Axial slice 68 of 103 of a contrast-enhanced abdominal CT (slice 1 is the lowest), 120 kVp, kernel FC18; 3.00 mm slice thickness and 0.714 mm pixels.
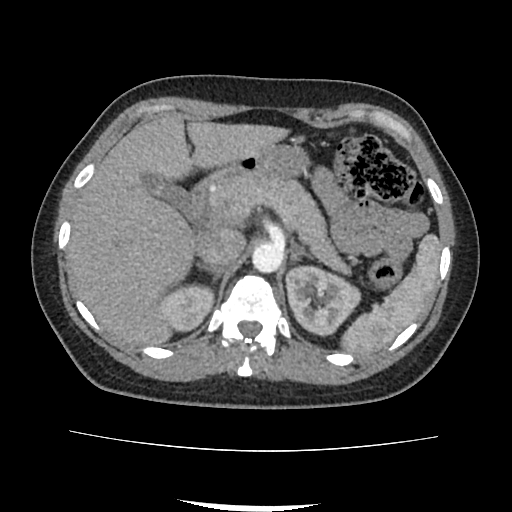
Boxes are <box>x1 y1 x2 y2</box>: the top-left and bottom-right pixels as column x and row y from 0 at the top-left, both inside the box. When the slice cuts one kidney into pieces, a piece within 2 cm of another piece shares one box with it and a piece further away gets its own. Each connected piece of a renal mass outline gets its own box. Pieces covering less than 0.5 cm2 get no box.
Boxed on this slice (two kidney boxes), listed by box centre from the image's left to its right: (1) Right kidney at <box>159 282 215 332</box> (outlined area 2,105 px, about 10.7 cm2). (2) Left kidney: <box>285 265 361 336</box> (outlined area 3,924 px, about 20.0 cm2). No renal mass outline on this slice.